Axial slice 382 of 541 of a contrast-enhanced abdominal CT in the arterial phase (slice 1 is the lowest), 120 kVp, kernel I30f; 1.00 mm slice thickness and 0.834 mm pixels.
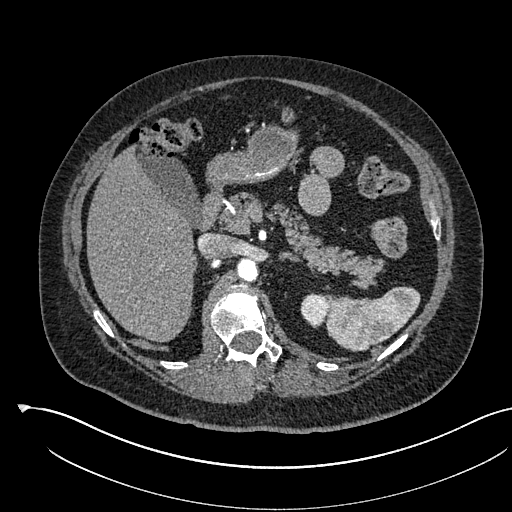
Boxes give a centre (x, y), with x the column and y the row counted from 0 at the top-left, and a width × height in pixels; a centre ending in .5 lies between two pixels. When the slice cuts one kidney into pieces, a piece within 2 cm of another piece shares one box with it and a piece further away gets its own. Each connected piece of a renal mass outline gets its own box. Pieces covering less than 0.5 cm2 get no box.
Left kidney in a box with centre (314.5, 310.5), 30 × 36 pixels (outlined area 770 px, about 5.4 cm2). No renal mass outline on this slice.